Arterial-phase contrast-enhanced abdominal CT, axial slice 148 of 670 (counted from the lowest slice); tube voltage 120 kVp, convolution kernel I30f; slices 1.00 mm thick, 0.861 mm per pixel.
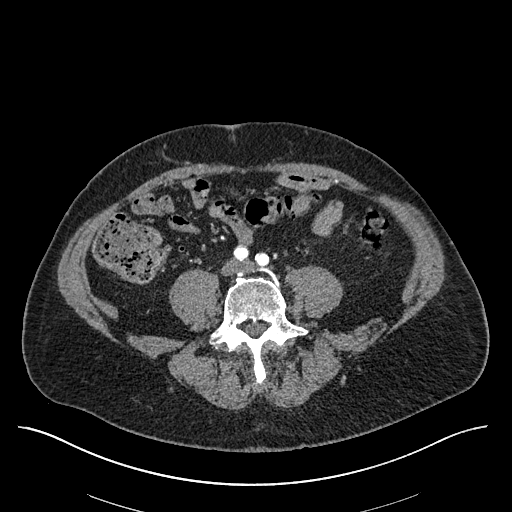
No kidney and no renal mass is outlined on this slice; the outlines in this scan cover only the kidneys and the renal masses, so nothing is said about any other organ.